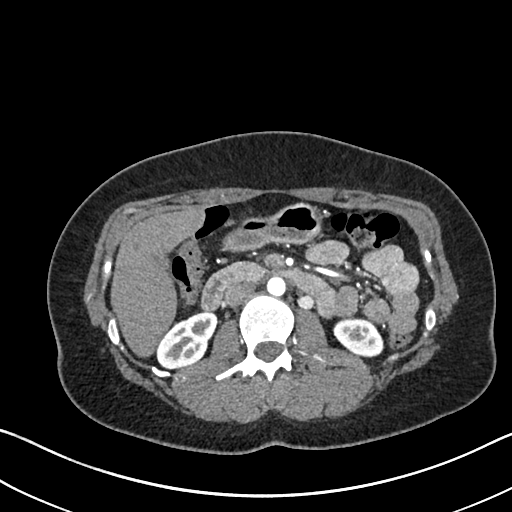
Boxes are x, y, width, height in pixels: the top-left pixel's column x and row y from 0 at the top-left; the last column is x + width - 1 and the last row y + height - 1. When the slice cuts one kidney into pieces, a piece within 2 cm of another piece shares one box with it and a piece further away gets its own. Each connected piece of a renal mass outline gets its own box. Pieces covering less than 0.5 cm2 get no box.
Arterial-phase contrast-enhanced abdominal CT, axial slice 390 of 612 (counted from the lowest slice); 1.00 mm thick, 0.703 mm per pixel. Two kidney boxes on this slice; by box centre, from the image's left to its right: (1) Right kidney at x 157, y 311, width 61, height 59 (outlined area 2,308 px, about 11.4 cm2). (2) Box x 333, y 317, width 51, height 40: left kidney (outlined area 1,494 px, about 7.4 cm2). No renal mass is outlined on this slice.
Scan settings: 120 kVp, I30f reconstruction kernel.